Abdominal CT with intravenous contrast, arterial phase, axial plane, 120 kVp, kernel I30f. Slice 219/670 from the bottom of the scan; thickness 1.00 mm; pixel size 0.861 mm.
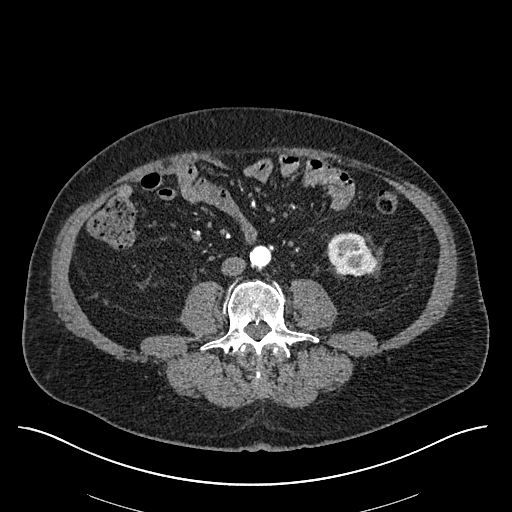
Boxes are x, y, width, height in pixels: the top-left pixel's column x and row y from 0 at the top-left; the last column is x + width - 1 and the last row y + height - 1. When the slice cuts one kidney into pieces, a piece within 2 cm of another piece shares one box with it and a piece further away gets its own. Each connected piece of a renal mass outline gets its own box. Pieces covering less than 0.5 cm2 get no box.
Left kidney at x 327, y 232, width 52, height 44 (outlined area 1,713 px, about 12.7 cm2). No renal mass is outlined on this slice.